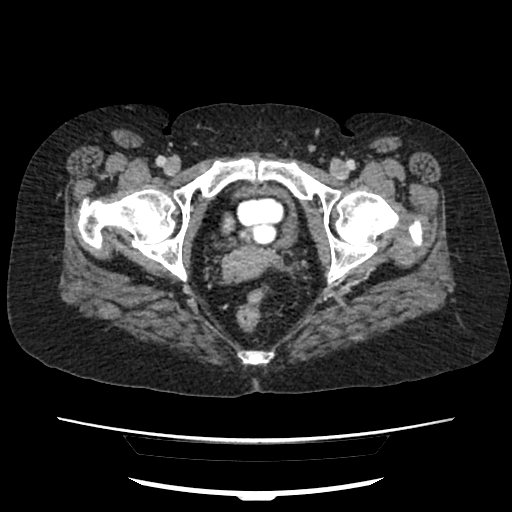
Arterial-phase contrast-enhanced abdominal CT, axial slice 32 of 207 (counted from the lowest slice); tube voltage 120 kVp, convolution kernel FC18; slices 2.00 mm thick, 0.741 mm per pixel.
Neither a kidney nor a renal mass is outlined here. Only kidneys and renal masses are outlined anywhere in this scan; other structures are never outlined.